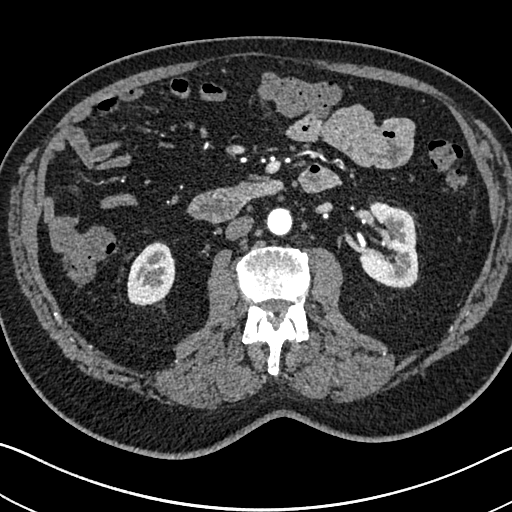
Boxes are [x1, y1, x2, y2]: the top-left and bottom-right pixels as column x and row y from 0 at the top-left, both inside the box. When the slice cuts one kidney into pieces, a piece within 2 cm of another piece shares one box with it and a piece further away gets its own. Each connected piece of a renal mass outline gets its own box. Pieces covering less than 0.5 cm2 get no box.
This is axial slice 384 of 705 (slice 1 is the lowest) of an arterial-phase abdominal CT with contrast; each pixel is 0.703 mm and the slice is 1.00 mm thick. Two boxes on this slice (two kidney boxes), listed by box centre from the image's left to its right. (1) Right kidney at [127, 241, 175, 306] (outlined area 2,401 px, about 11.9 cm2). (2) Left kidney at [358, 201, 418, 288] (outlined area 3,880 px, about 19.2 cm2). No renal mass is outlined on this slice.
Scan settings: 120 kVp, I30f reconstruction kernel.